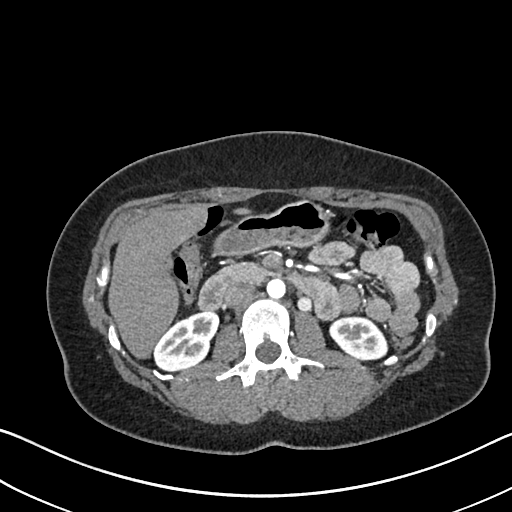
Axial slice 397 of 612 of a contrast-enhanced abdominal CT in the arterial phase (slice 1 is the lowest), 120 kVp, kernel I30f; 1.00 mm slice thickness and 0.703 mm pixels.
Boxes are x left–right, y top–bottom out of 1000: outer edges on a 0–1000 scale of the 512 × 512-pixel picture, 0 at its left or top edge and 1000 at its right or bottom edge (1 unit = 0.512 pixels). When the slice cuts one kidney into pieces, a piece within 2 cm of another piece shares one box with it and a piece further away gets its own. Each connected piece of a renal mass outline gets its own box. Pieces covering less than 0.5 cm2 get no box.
Two boxes on this slice (two kidney boxes), listed by box centre from the image's left to its right. (1) Right kidney at x 301–430, y 607–725 out of 1000 (outlined area 2,627 px, about 13.0 cm2). (2) Box x 643–760, y 617–707 out of 1000: left kidney (outlined area 1,984 px, about 9.8 cm2). This slice carries no renal mass outline.